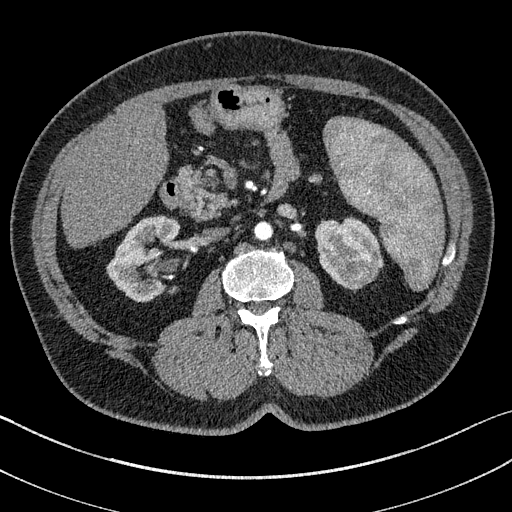
Axial slice 84 of 195 of a contrast-enhanced abdominal CT in the arterial phase (slice 1 is the lowest), 100 kVp, kernel I31f; 1.50 mm slice thickness and 0.707 mm pixels.
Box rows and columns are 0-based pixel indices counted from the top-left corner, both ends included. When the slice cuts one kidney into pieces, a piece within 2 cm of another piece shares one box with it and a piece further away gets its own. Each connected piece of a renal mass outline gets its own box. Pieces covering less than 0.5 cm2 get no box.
Two kidney boxes and one renal mass box on this slice; by box centre, from the image's left to its right: (1) Right kidney at rows 215–301, columns 107–179 (outlined area 3,878 px, about 19.4 cm2). (2) Box rows 217–290, columns 315–383: left kidney (outlined area 2,813 px, about 14.1 cm2). (3) Left renal mass at rows 257–285, columns 343–380 (outlined area 838 px, about 4.2 cm2).